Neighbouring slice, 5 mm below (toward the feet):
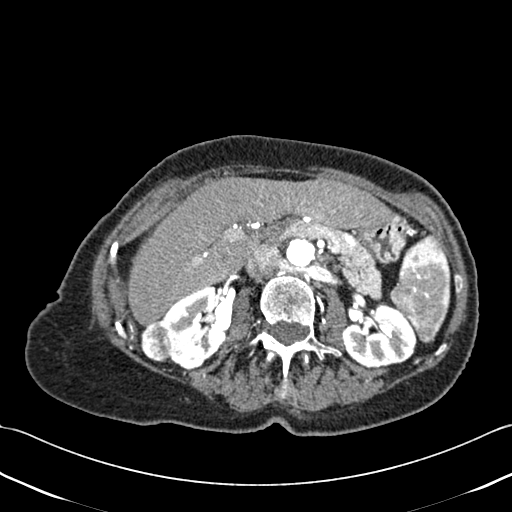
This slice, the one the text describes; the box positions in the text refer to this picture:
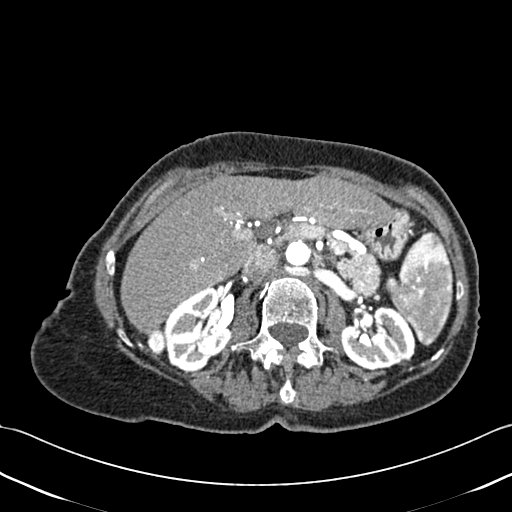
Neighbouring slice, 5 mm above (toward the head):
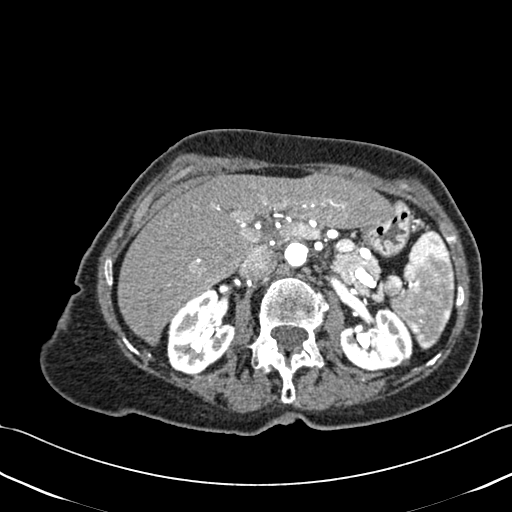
Contrast-enhanced abdominal CT, axial slice 265 of 433 (counted from the lowest slice); tube voltage 120 kVp, convolution kernel B30f; slices 1.00 mm thick, 0.672 mm per pixel.
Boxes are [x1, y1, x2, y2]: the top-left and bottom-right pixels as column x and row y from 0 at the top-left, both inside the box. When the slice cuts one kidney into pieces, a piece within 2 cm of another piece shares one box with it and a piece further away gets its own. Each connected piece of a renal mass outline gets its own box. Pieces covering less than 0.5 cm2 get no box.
Two kidney boxes and one renal mass box on this slice; by box centre, from the image's left to its right: (1) Right renal mass, box [147, 330, 165, 356] (outlined area 387 px, about 1.7 cm2). (2) Box [162, 287, 233, 371]: right kidney (outlined area 4,160 px, about 18.8 cm2). (3) Left kidney, box [340, 306, 415, 370] (outlined area 3,627 px, about 16.4 cm2). This slice lies near the end of the right renal mass toward the head; the slices 5 mm below and 5 mm above it are shown too, and the boxes mark positions on this slice only.